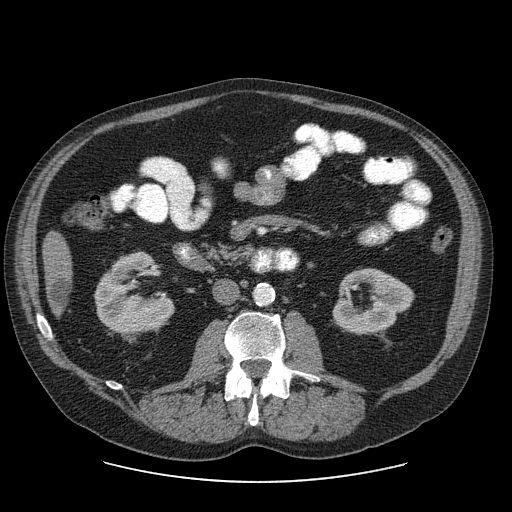
Abdominal CT with intravenous contrast, axial plane, 120 kVp, kernel STANDARD. Slice 31/103 from the bottom of the scan; thickness 2.50 mm; pixel size 0.820 mm.
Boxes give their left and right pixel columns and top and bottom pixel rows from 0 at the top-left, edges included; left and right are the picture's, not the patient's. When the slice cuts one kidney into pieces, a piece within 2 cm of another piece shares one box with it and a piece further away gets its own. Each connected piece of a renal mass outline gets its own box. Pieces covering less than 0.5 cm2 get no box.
Two kidney boxes on this slice; by box centre, from the image's left to its right: (1) Box with left 94, top 252, right 173, bottom 343: right kidney (outlined area 4,511 px, about 30.4 cm2). (2) Left kidney, the box with left 332, top 268, right 414, bottom 335 (outlined area 3,692 px, about 24.8 cm2). No renal mass is outlined on this slice.